Abdominal CT with intravenous contrast, arterial phase, axial plane, 120 kVp, kernel I30f. Slice 286/673 from the bottom of the scan; thickness 1.00 mm; pixel size 0.855 mm.
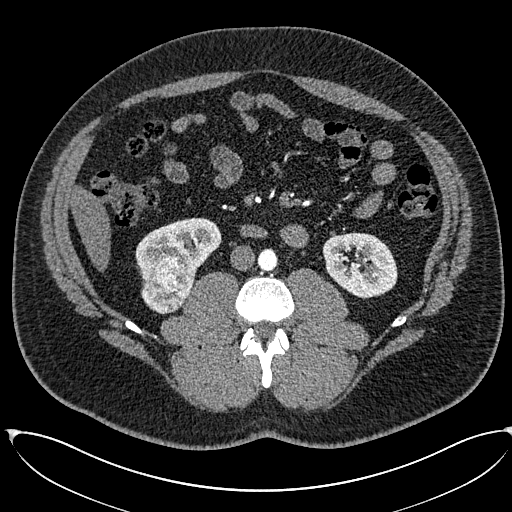
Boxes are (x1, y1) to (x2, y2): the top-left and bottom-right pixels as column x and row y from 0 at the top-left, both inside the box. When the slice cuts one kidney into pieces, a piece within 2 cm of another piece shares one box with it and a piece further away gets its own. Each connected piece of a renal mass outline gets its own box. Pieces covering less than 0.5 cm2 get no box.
Three boxes on this slice (two kidney boxes and one renal mass box), listed by box centre from the image's left to its right. (1) Box (141, 256) to (195, 313): right renal mass (outlined area 2,303 px, about 16.9 cm2). (2) Box (135, 217) to (221, 281): right kidney (outlined area 3,178 px, about 23.3 cm2). (3) Box (322, 232) to (397, 297): left kidney (outlined area 3,767 px, about 27.6 cm2).